Arterial-phase contrast-enhanced abdominal CT, axial slice 72 of 103 (counted from the lowest slice); tube voltage 120 kVp, convolution kernel FC19; slices 5.00 mm thick, 0.873 mm per pixel.
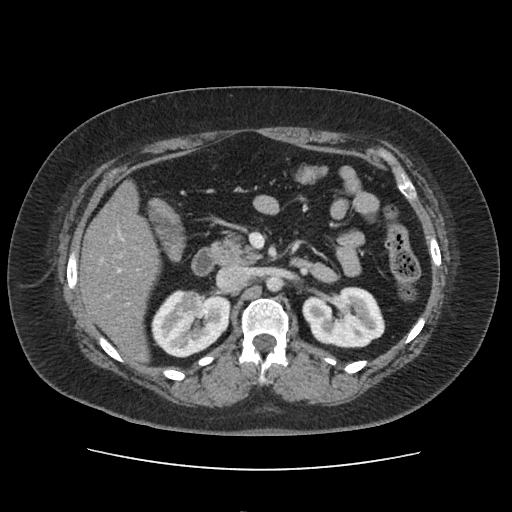
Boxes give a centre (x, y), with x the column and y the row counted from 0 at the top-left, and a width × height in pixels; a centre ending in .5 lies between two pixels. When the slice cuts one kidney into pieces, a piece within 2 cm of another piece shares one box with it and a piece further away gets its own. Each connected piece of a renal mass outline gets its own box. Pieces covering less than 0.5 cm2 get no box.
Boxed on this slice (two kidney boxes and one renal mass box), listed by box centre from the image's left to its right: (1) Box centre (190.5, 300.5), 26 × 24 pixels: right renal mass (outlined area 513 px, about 3.9 cm2). (2) Right kidney, box centre (191, 323.5), 81 × 68 pixels (outlined area 3,580 px, about 27.3 cm2). (3) Left kidney, box centre (343.5, 317), 84 × 63 pixels (outlined area 3,963 px, about 30.2 cm2).